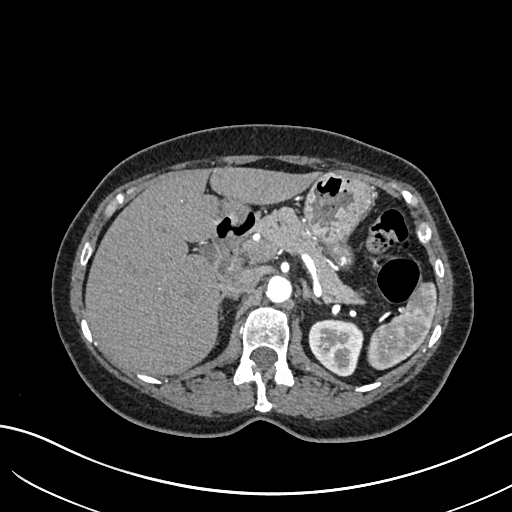
Abdominal CT with intravenous contrast, arterial phase, axial plane, 120 kVp, kernel I30f. Slice 451/683 from the bottom of the scan; thickness 1.00 mm; pixel size 0.738 mm.
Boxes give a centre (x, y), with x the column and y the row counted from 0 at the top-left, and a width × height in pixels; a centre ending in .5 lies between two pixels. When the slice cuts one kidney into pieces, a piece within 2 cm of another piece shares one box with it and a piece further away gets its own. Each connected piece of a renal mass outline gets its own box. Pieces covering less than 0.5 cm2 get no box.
Box centre (335.5, 347.5), 56 × 58 pixels: left kidney (outlined area 2,453 px, about 13.4 cm2). No renal mass outline on this slice.